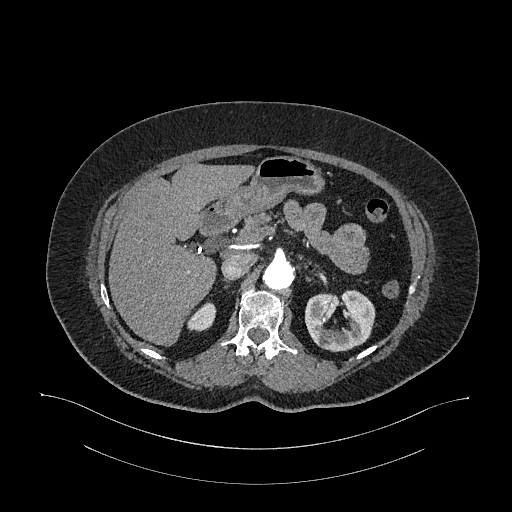
Axial slice 728 of 987 of a contrast-enhanced abdominal CT in the arterial phase (slice 1 is the lowest), 120 kVp, kernel I26f; 1.00 mm slice thickness and 0.977 mm pixels.
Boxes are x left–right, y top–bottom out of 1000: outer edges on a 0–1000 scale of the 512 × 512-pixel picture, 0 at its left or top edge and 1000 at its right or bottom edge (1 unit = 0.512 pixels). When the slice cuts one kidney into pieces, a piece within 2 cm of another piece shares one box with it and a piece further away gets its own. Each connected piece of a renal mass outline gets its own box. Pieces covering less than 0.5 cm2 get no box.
Two boxes on this slice (two kidney boxes), listed by box centre from the image's left to its right. (1) Right kidney at x 365–424, y 590–648 out of 1000 (outlined area 598 px, about 5.7 cm2). (2) Left kidney, box x 594–734, y 564–688 out of 1000 (outlined area 3,211 px, about 30.6 cm2). No renal mass outline on this slice.